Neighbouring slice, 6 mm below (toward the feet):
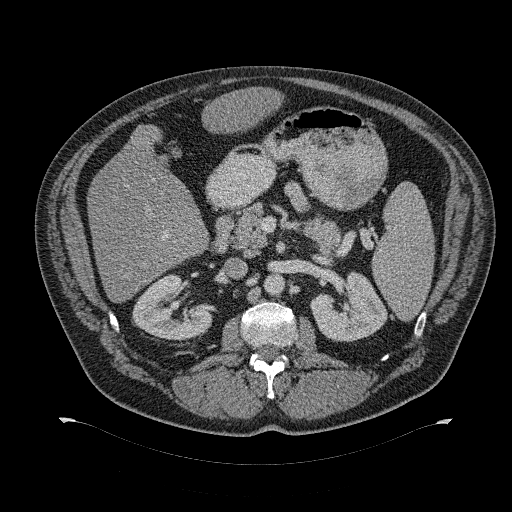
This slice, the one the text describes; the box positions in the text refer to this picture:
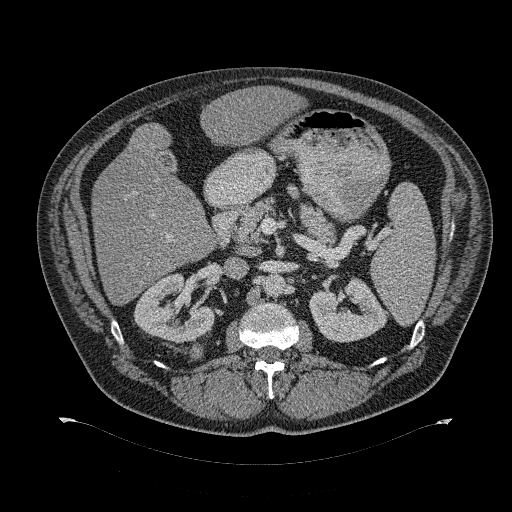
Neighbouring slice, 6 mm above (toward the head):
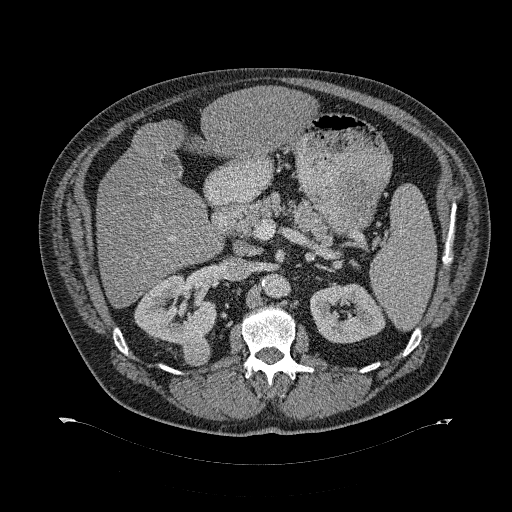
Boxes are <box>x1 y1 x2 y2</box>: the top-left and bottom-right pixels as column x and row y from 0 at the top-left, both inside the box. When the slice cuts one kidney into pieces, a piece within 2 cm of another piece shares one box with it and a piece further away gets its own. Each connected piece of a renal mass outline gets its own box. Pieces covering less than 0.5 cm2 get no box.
Slice 196/274 of a contrast-enhanced abdominal CT, counting up from the lowest; pixel size 0.977 mm, slice thickness 2.00 mm. Two kidney boxes and one renal mass box on this slice; by box centre, from the image's left to its right: (1) Right kidney: <box>134 273 214 343</box> (outlined area 3,772 px, about 36.0 cm2). (2) Right renal mass: <box>189 342 203 359</box> (outlined area 194 px, about 1.9 cm2). (3) Left kidney at <box>309 276 387 342</box> (outlined area 3,430 px, about 32.7 cm2). This slice is near the end of the right renal mass toward the feet, so the slices 6 mm below and 6 mm above it are shown as well; the boxes refer to this slice only.
Acquired at 120 kVp and reconstructed with the B31f kernel.